One axial slice (293 of 626, counting up from the lowest) of an arterial-phase abdominal CT acquired with 120 kVp, kernel I30f; each pixel is 0.703 mm and the slice is 1.00 mm thick.
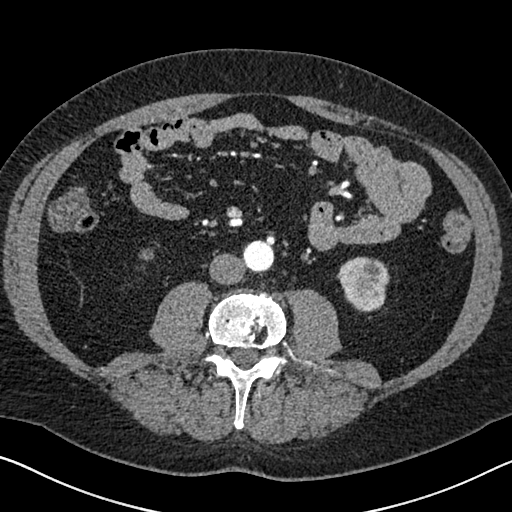
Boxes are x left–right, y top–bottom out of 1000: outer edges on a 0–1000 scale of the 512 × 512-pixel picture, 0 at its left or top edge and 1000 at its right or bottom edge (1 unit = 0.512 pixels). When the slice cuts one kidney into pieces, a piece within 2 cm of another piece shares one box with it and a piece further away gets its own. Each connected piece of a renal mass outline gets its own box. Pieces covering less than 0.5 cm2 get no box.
Two kidney boxes on this slice; by box centre, from the image's left to its right: (1) Right kidney at x 271–301, y 484–510 out of 1000 (outlined area 143 px, about 0.7 cm2). (2) Box x 658–760, y 500–609 out of 1000: left kidney (outlined area 2,137 px, about 10.6 cm2).